Abdominal CT with intravenous contrast, arterial phase, axial plane, 120 kVp, kernel B30f. Slice 429/723 from the bottom of the scan; thickness 1.00 mm; pixel size 0.895 mm.
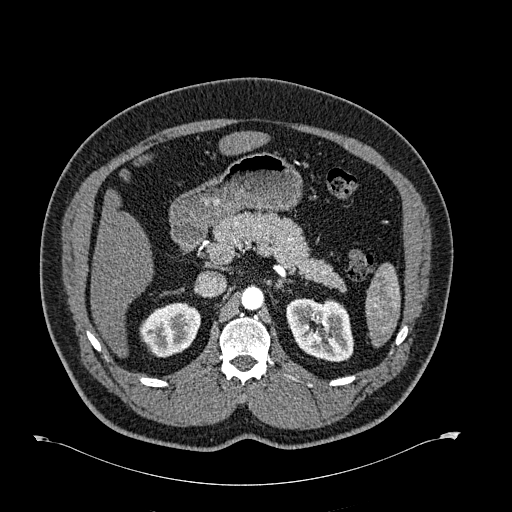
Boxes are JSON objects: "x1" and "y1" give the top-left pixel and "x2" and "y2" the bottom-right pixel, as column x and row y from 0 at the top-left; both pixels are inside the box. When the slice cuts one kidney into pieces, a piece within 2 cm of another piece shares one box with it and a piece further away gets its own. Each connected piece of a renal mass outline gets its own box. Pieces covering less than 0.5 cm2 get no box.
Two kidney boxes on this slice; by box centre, from the image's left to its right: (1) Box {"x1": 139, "y1": 302, "x2": 201, "y2": 357}: right kidney (outlined area 2,522 px, about 20.2 cm2). (2) Left kidney at {"x1": 286, "y1": 298, "x2": 354, "y2": 362} (outlined area 3,400 px, about 27.2 cm2). No renal mass is outlined on this slice.